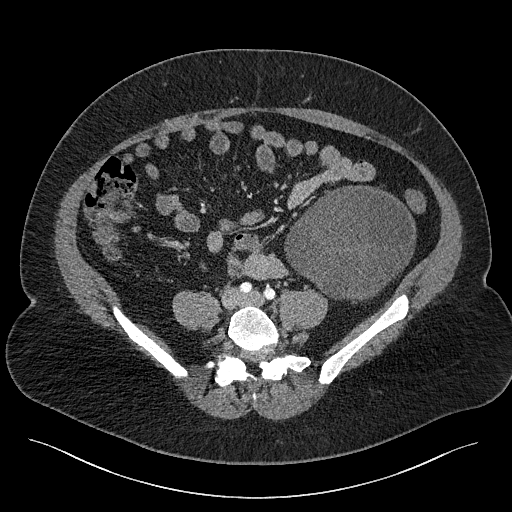
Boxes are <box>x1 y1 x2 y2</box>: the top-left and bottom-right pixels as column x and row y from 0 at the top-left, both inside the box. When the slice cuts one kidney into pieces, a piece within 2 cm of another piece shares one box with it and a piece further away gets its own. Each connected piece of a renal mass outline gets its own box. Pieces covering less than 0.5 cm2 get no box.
Contrast-enhanced abdominal CT, axial slice 50 of 301 (counted from the lowest slice); 2.00 mm thick, 0.859 mm per pixel. Left renal mass: <box>284 185 415 302</box> (outlined area 11,150 px, about 82.3 cm2); this slice has no kidney outline, though on another slice the same outlined renal mass lies within 1 cm of the kidney.
Acquired at 120 kVp and reconstructed with the I40f kernel.